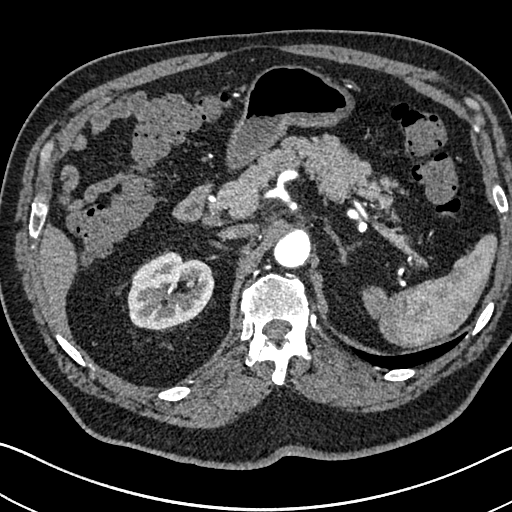
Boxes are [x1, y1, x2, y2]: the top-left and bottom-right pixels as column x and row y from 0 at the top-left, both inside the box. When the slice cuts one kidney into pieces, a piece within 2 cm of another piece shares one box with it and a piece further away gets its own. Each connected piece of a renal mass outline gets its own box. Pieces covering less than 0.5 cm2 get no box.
Arterial-phase contrast-enhanced abdominal CT, axial slice 506 of 705 (counted from the lowest slice); 1.00 mm thick, 0.703 mm per pixel. Right kidney at [127, 250, 214, 330] (outlined area 5,169 px, about 25.6 cm2). No renal mass is outlined on this slice.
Scan settings: 120 kVp, I30f reconstruction kernel.